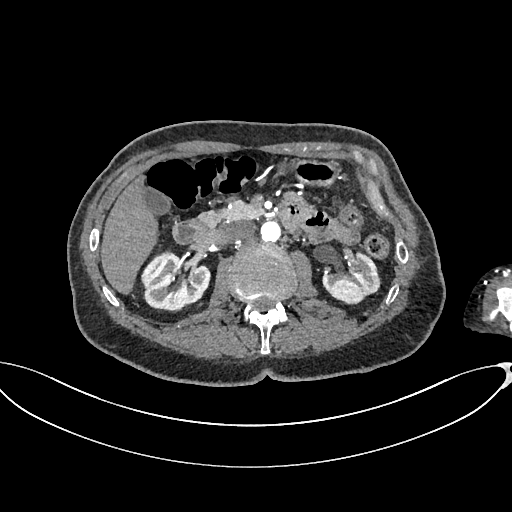
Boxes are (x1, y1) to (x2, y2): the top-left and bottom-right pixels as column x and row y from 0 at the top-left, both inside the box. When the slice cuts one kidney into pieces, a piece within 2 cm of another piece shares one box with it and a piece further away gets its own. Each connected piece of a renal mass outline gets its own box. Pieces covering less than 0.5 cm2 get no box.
This is axial slice 403 of 665 (slice 1 is the lowest) of an arterial-phase abdominal CT with contrast; each pixel is 0.828 mm and the slice is 1.00 mm thick. Two boxes on this slice (two kidney boxes), listed by box centre from the image's left to its right. (1) Right kidney, box (141, 250) to (210, 311) (outlined area 3,190 px, about 21.9 cm2). (2) Box (322, 253) to (380, 304): left kidney (outlined area 2,105 px, about 14.4 cm2). No renal mass is outlined on this slice.
Tube voltage 100 kVp; convolution kernel I26f.